Abdominal CT with intravenous contrast, arterial phase, axial plane, 100 kVp, kernel I30f. Slice 176/304 from the bottom of the scan; thickness 2.00 mm; pixel size 0.809 mm.
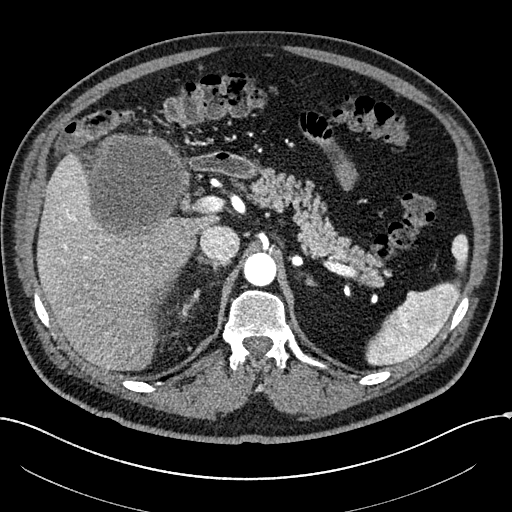
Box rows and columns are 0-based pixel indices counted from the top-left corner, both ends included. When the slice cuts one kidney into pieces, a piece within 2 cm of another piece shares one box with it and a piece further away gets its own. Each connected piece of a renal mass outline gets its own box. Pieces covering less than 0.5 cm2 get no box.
Right renal mass, box rows 133–244, columns 75–190 (outlined area 9,334 px, about 61.0 cm2); no kidney outline appears on this slice, but the same outlined renal mass comes within 1 cm of the kidney on another slice.